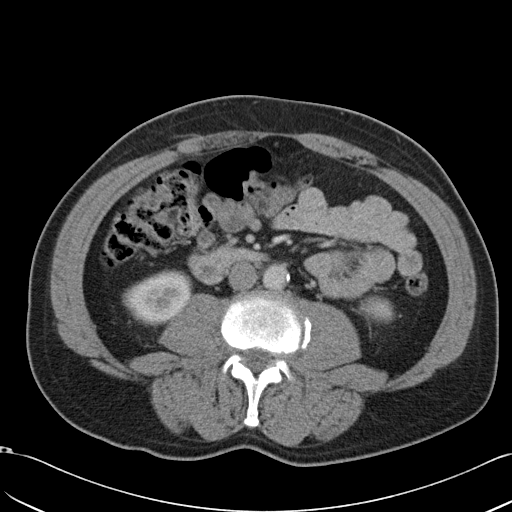
Abdominal CT with intravenous contrast, arterial phase, axial plane, 120 kVp, kernel B31f. Slice 11/49 from the bottom of the scan; thickness 5.00 mm; pixel size 0.691 mm.
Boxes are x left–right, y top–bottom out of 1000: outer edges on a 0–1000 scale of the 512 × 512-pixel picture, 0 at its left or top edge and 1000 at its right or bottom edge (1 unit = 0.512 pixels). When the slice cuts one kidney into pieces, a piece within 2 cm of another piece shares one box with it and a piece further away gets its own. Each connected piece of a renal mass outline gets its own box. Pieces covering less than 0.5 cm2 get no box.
Two kidney boxes on this slice; by box centre, from the image's left to its right: (1) Box x 238–375, y 525–639 out of 1000: right kidney (outlined area 2,732 px, about 13.1 cm2). (2) Left kidney, box x 701–771, y 576–633 out of 1000 (outlined area 746 px, about 3.6 cm2). This slice carries no renal mass outline.